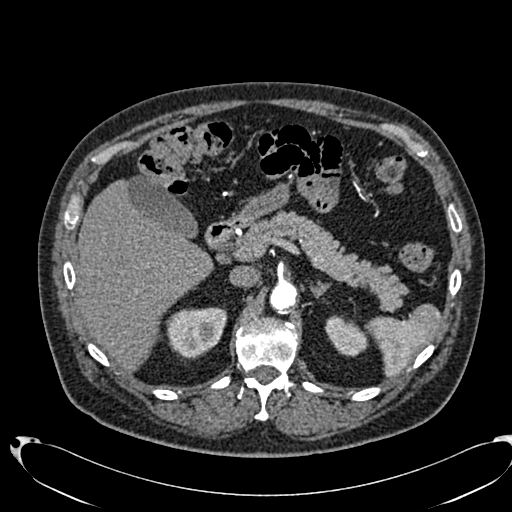
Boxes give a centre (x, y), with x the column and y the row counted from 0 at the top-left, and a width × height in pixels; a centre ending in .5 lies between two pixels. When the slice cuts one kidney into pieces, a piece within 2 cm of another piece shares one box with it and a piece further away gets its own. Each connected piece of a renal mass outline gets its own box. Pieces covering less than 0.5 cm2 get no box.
This is axial slice 483 of 553 (slice 1 is the lowest) of an arterial-phase abdominal CT with contrast; each pixel is 0.773 mm and the slice is 1.00 mm thick. Two boxes on this slice (two kidney boxes), listed by box centre from the image's left to its right. (1) Right kidney, box centre (196.5, 332.5), 62 × 52 pixels (outlined area 2,431 px, about 14.5 cm2). (2) Box centre (346, 335.5), 45 × 42 pixels: left kidney (outlined area 1,231 px, about 7.4 cm2). No renal mass outline on this slice.
Scan settings: 120 kVp, B20f reconstruction kernel.